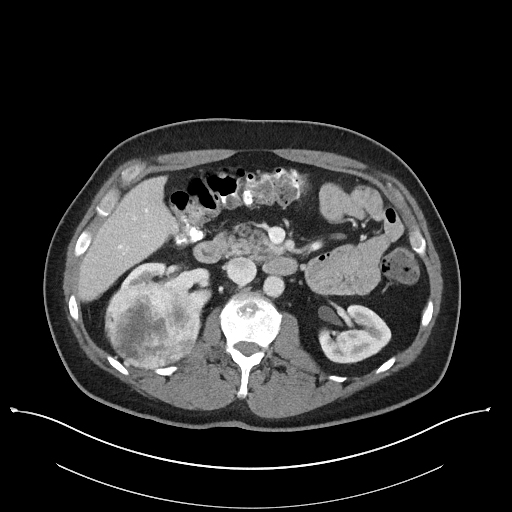
Abdominal CT with intravenous contrast, axial plane, 100 kVp, kernel I40f. Slice 69/101 from the bottom of the scan; thickness 5.00 mm; pixel size 0.879 mm.
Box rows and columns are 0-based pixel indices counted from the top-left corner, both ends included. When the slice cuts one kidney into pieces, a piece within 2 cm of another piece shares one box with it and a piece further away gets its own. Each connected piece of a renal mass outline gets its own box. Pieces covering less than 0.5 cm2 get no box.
Boxed on this slice (two kidney boxes and one renal mass box), listed by box centre from the image's left to its right: (1) Box rows 282–368, columns 105–201: right renal mass (outlined area 6,789 px, about 52.4 cm2). (2) Right kidney, box rows 262–308, columns 120–212 (outlined area 1,547 px, about 12.0 cm2). (3) Box rows 304–363, columns 318–391: left kidney (outlined area 2,949 px, about 22.8 cm2).